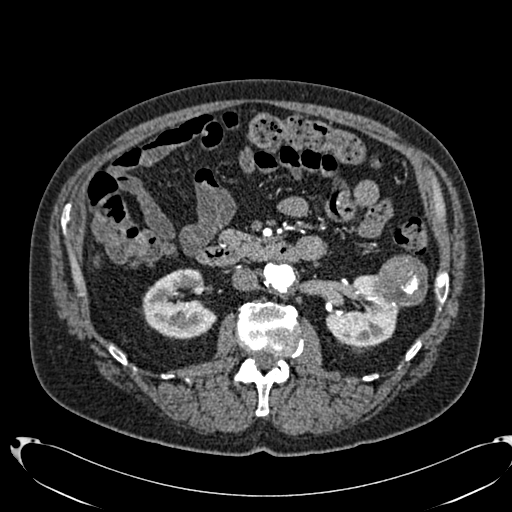
Arterial-phase contrast-enhanced abdominal CT, axial slice 402 of 553 (counted from the lowest slice); tube voltage 120 kVp, convolution kernel B20f; slices 1.00 mm thick, 0.773 mm per pixel.
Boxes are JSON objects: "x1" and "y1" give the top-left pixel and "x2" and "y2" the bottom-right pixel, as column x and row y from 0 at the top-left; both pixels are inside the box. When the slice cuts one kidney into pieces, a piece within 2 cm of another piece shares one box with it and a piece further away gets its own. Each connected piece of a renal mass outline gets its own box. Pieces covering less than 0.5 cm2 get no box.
Two kidney boxes and one renal mass box on this slice; by box centre, from the image's left to its right: (1) Right kidney at {"x1": 142, "y1": 268, "x2": 216, "y2": 339} (outlined area 3,697 px, about 22.1 cm2). (2) Box {"x1": 326, "y1": 275, "x2": 399, "y2": 347}: left kidney (outlined area 3,312 px, about 19.8 cm2). (3) Box {"x1": 370, "y1": 254, "x2": 427, "y2": 307}: left renal mass (outlined area 2,341 px, about 14.0 cm2).